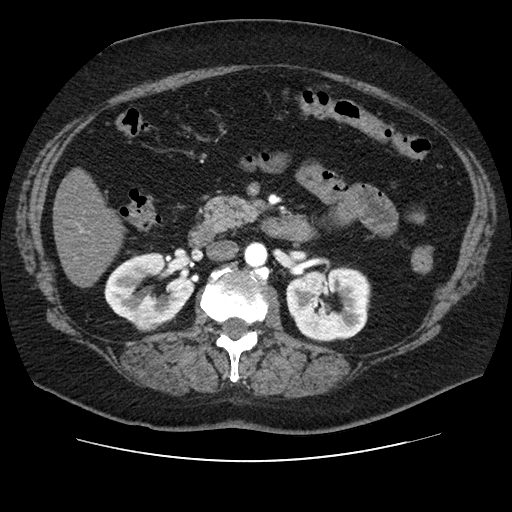
Abdominal CT with intravenous contrast, arterial phase, axial plane, 120 kVp, kernel STANDARD. Slice 56/106 from the bottom of the scan; thickness 2.50 mm; pixel size 0.742 mm.
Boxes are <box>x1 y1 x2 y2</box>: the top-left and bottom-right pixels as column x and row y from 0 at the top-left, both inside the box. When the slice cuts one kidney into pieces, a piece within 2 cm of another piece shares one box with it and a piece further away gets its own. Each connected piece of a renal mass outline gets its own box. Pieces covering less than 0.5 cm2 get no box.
Two kidney boxes and one renal mass box on this slice; by box centre, from the image's left to its right: (1) Right renal mass: <box>132 308 162 331</box> (outlined area 537 px, about 3.0 cm2). (2) Right kidney at <box>104 252 195 323</box> (outlined area 4,188 px, about 23.1 cm2). (3) Left kidney at <box>286 266 370 342</box> (outlined area 5,014 px, about 27.6 cm2).